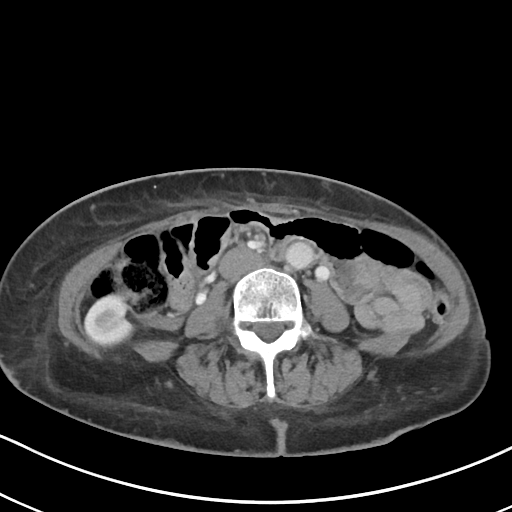
Axial slice 45 of 80 of a contrast-enhanced abdominal CT in the arterial phase (slice 1 is the lowest), 100 kVp, kernel I40f; 5.00 mm slice thickness and 0.648 mm pixels.
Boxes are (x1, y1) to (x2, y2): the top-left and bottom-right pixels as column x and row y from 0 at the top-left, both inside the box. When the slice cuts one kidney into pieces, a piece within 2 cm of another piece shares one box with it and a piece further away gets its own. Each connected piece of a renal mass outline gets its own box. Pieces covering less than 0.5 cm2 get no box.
Box (85, 295) to (131, 341): right kidney (outlined area 1,581 px, about 6.6 cm2). No renal mass outline on this slice.